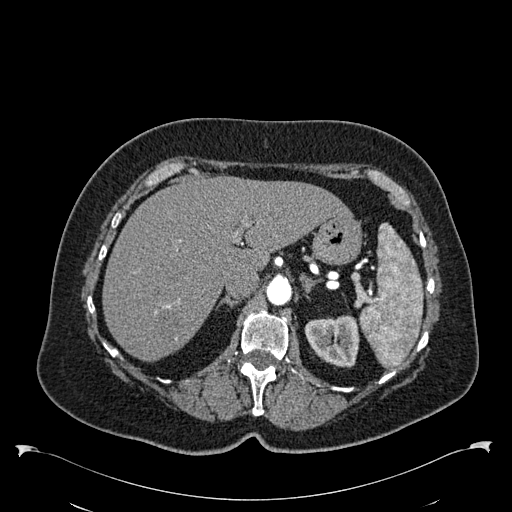
Abdominal CT with intravenous contrast, arterial phase, axial plane, 120 kVp, kernel B30f. Slice 416/538 from the bottom of the scan; thickness 1.00 mm; pixel size 0.811 mm.
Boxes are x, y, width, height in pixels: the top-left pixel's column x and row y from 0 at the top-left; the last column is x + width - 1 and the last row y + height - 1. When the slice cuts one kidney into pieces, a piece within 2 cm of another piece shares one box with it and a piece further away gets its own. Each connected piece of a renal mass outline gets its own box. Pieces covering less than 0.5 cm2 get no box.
Left kidney at x 304, y 315, width 56, height 53 (outlined area 2,247 px, about 14.8 cm2). No renal mass is outlined on this slice.